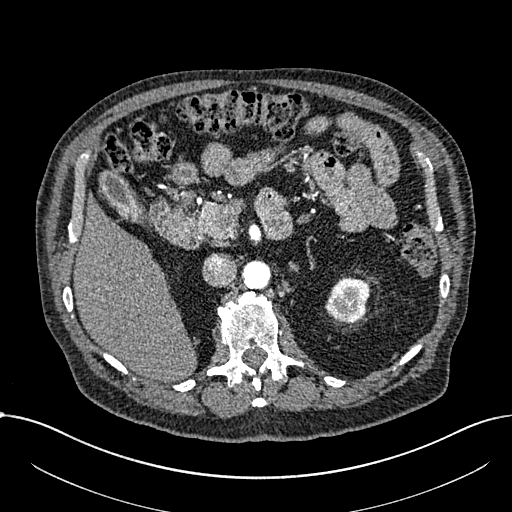
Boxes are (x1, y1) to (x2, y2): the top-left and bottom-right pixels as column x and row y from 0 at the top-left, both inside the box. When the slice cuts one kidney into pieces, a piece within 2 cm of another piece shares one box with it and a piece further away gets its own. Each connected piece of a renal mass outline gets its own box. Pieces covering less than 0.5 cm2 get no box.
Arterial-phase contrast-enhanced abdominal CT, axial slice 451 of 1059 (counted from the lowest slice); 1.00 mm thick, 0.811 mm per pixel. Left part of the midline-crossing kidney, box (324, 276) to (370, 323) (outlined area 1,630 px, about 10.7 cm2). This slice carries no renal mass outline.
Tube voltage 100 kVp; convolution kernel I30f.